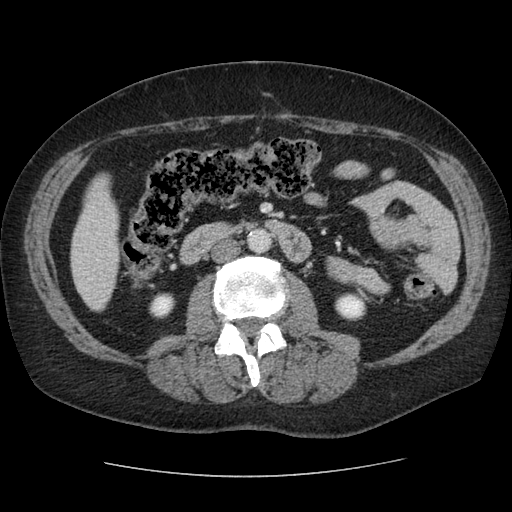
Abdominal CT with intravenous contrast, arterial phase, axial plane, 120 kVp, kernel STANDARD. Slice 32/96 from the bottom of the scan; thickness 2.50 mm; pixel size 0.689 mm.
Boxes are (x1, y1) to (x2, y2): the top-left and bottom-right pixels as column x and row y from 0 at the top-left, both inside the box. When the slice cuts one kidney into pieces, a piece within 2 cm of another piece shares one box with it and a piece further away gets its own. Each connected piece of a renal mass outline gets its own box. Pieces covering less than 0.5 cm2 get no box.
Two boxes on this slice (two kidney boxes), listed by box centre from the image's left to its right. (1) Right kidney from (149, 293) to (175, 318) (outlined area 539 px, about 2.6 cm2). (2) Left kidney, box (334, 292) to (366, 320) (outlined area 727 px, about 3.5 cm2). This slice carries no renal mass outline.